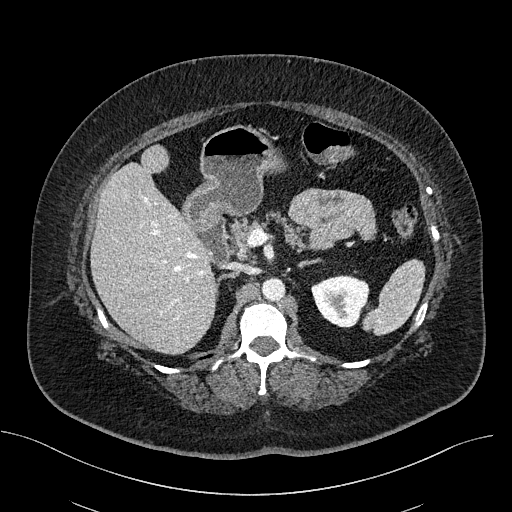
Axial slice 330 of 470 of a contrast-enhanced abdominal CT (slice 1 is the lowest), 100 kVp, kernel I40f; 2.00 mm slice thickness and 0.824 mm pixels.
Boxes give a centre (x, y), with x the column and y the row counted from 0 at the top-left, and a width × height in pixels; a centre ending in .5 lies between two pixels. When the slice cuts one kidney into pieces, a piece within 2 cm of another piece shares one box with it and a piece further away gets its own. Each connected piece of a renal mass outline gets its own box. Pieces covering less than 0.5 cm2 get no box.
Left kidney in a box with centre (340, 301), 59 × 53 pixels (outlined area 2,296 px, about 15.6 cm2). This slice carries no renal mass outline.